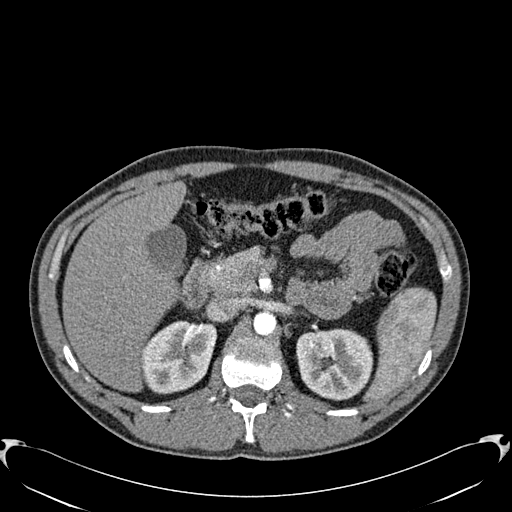
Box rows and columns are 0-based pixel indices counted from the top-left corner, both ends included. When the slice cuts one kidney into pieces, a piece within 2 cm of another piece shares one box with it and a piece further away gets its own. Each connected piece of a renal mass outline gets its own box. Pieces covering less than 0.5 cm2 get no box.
Arterial-phase contrast-enhanced abdominal CT, axial slice 401 of 512 (counted from the lowest slice); 1.00 mm thick, 0.771 mm per pixel. Two kidney boxes on this slice; by box centre, from the image's left to its right: (1) Box rows 320–394, columns 141–217: right kidney (outlined area 4,256 px, about 25.3 cm2). (2) Box rows 328–400, columns 296–373: left kidney (outlined area 4,534 px, about 27.0 cm2). This slice carries no renal mass outline.
Acquired at 120 kVp and reconstructed with the B30f kernel.